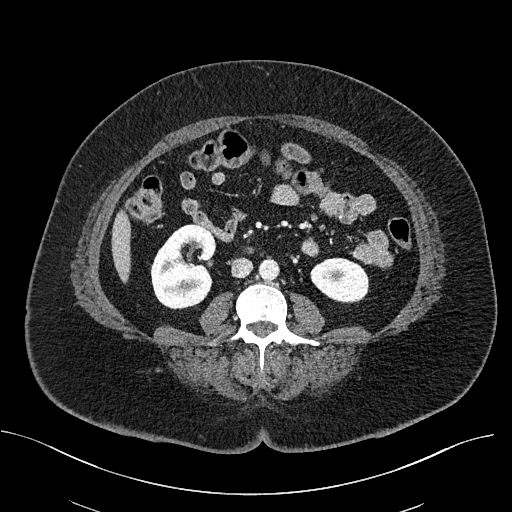
Axial slice 265 of 470 of a contrast-enhanced abdominal CT (slice 1 is the lowest), 100 kVp, kernel I40f; 2.00 mm slice thickness and 0.824 mm pixels.
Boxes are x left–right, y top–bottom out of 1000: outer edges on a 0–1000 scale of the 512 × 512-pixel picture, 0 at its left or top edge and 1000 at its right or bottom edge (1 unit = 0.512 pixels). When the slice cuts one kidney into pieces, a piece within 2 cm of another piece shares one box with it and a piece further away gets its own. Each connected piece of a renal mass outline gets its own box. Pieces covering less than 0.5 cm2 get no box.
Boxed on this slice (two kidney boxes), listed by box centre from the image's left to its right: (1) Right kidney, box x 293–424, y 436–605 out of 1000 (outlined area 4,249 px, about 28.9 cm2). (2) Left kidney, box x 605–721, y 502–594 out of 1000 (outlined area 2,067 px, about 14.0 cm2). No renal mass outline on this slice.